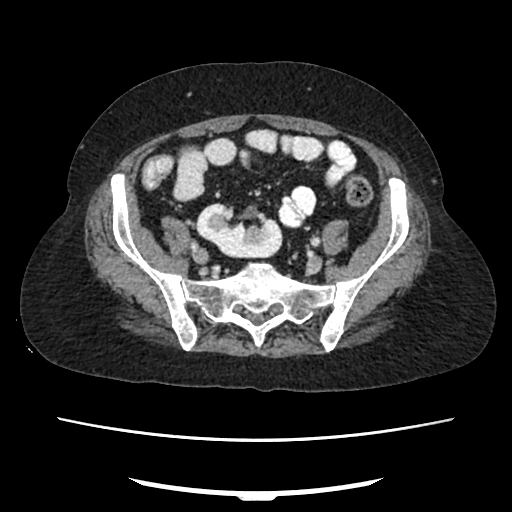
Abdominal CT with intravenous contrast, arterial phase, axial plane, 120 kVp, kernel FC18. Slice 73/207 from the bottom of the scan; thickness 2.00 mm; pixel size 0.741 mm.
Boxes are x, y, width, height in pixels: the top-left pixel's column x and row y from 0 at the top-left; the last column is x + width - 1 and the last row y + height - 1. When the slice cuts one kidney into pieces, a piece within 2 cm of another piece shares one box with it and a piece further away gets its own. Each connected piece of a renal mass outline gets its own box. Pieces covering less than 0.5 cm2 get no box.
Right kidney, box x 196, y 202, width 87, height 57 (outlined area 3,399 px, about 18.7 cm2). No renal mass is outlined on this slice.